One axial slice (379 of 527, counting up from the lowest) of an arterial-phase abdominal CT acquired with 120 kVp, kernel I30f; each pixel is 0.859 mm and the slice is 1.00 mm thick.
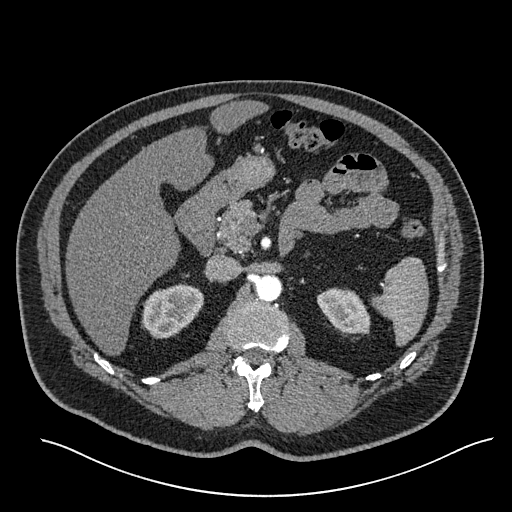
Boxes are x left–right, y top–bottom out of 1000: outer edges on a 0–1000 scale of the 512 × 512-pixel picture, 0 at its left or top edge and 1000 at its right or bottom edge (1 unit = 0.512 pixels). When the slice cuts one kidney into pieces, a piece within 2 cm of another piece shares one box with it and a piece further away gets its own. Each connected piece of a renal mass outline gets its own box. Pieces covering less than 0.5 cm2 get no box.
Two boxes on this slice (two kidney boxes), listed by box centre from the image's left to its right. (1) Right kidney, box x 275–398, y 553–662 out of 1000 (outlined area 2,510 px, about 18.5 cm2). (2) Left kidney, box x 619–725, y 561–654 out of 1000 (outlined area 1,808 px, about 13.4 cm2). This slice carries no renal mass outline.